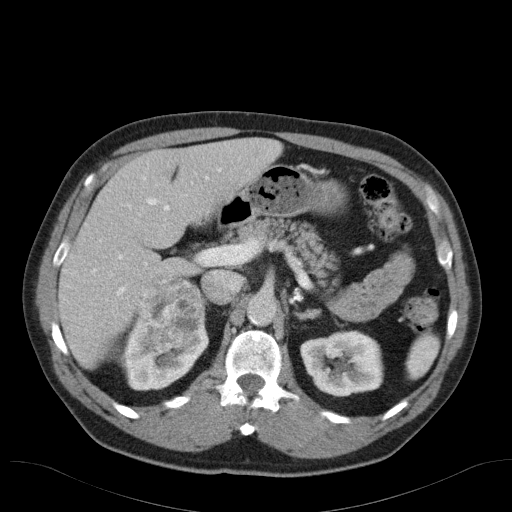
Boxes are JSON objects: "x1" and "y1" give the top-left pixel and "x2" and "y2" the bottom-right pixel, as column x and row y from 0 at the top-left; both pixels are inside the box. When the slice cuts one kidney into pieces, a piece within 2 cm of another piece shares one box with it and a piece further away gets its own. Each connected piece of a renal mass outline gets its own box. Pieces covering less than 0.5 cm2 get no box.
Arterial-phase contrast-enhanced abdominal CT, axial slice 74 of 98 (counted from the lowest slice); 5.00 mm thick, 0.764 mm per pixel. Three boxes on this slice (two kidney boxes and one renal mass box), listed by box centre from the image's left to its right. (1) Box {"x1": 117, "y1": 299, "x2": 208, "y2": 390}: right kidney (outlined area 3,479 px, about 20.3 cm2). (2) Right renal mass at {"x1": 135, "y1": 276, "x2": 204, "y2": 353} (outlined area 4,273 px, about 24.9 cm2). (3) Box {"x1": 300, "y1": 330, "x2": 383, "y2": 396}: left kidney (outlined area 4,394 px, about 25.6 cm2).
Tube voltage 120 kVp; convolution kernel B31f.